Axial slice 387 of 541 of a contrast-enhanced abdominal CT in the arterial phase (slice 1 is the lowest), 120 kVp, kernel I30f; 1.00 mm slice thickness and 0.834 mm pixels.
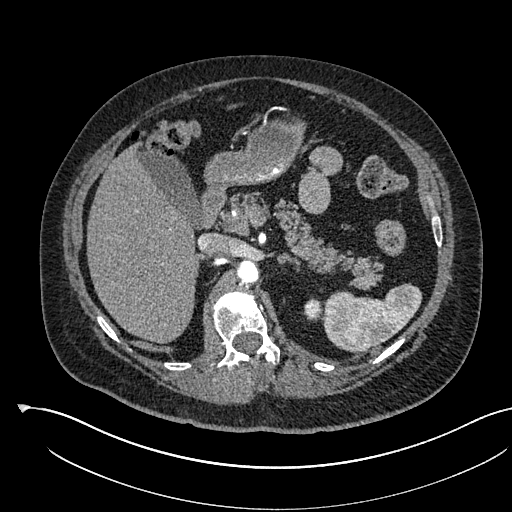
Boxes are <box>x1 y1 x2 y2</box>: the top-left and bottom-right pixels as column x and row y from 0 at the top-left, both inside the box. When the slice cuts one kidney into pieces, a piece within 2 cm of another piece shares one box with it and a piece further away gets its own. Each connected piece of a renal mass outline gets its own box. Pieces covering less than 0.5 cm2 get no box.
Left kidney at <box>303 298 322 321</box> (outlined area 359 px, about 2.5 cm2). This slice carries no renal mass outline.